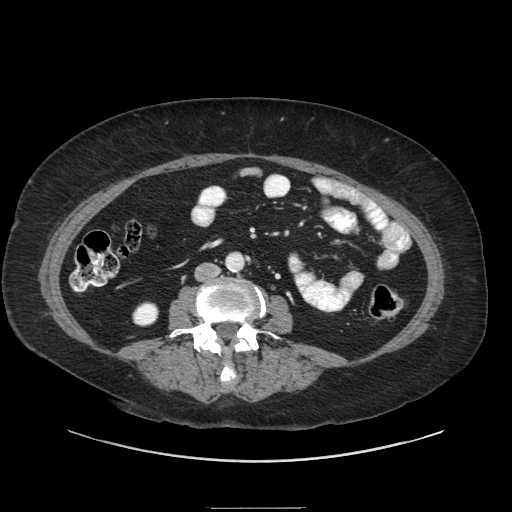
Abdominal CT with intravenous contrast, axial plane, 120 kVp, kernel STANDARD. Slice 100/186 from the bottom of the scan; thickness 2.50 mm; pixel size 0.850 mm.
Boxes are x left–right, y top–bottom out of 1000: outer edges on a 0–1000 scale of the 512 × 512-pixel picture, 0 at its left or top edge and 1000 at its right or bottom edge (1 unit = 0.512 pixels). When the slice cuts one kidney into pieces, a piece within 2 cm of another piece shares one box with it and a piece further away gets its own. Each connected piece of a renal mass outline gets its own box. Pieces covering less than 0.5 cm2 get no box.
Box x 258–311, y 588–639 out of 1000: right kidney (outlined area 545 px, about 3.9 cm2). No renal mass outline on this slice.